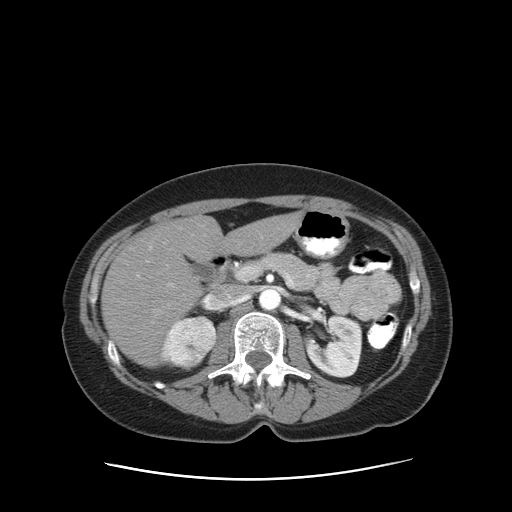
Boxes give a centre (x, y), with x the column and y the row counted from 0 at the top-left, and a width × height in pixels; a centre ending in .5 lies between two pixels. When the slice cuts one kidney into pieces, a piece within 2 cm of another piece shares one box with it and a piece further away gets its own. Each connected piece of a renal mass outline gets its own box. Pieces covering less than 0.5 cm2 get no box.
This is axial slice 56 of 83 (slice 1 is the lowest) of an arterial-phase abdominal CT with contrast; each pixel is 0.775 mm and the slice is 5.00 mm thick. Two kidney boxes and one renal mass box on this slice; by box centre, from the image's left to its right: (1) Right kidney, box centre (168, 352), 17 × 31 pixels (outlined area 189 px, about 1.1 cm2). (2) Right renal mass in a box with centre (191.5, 342.5), 50 × 56 pixels (outlined area 2,119 px, about 12.7 cm2). (3) Box centre (333, 346.5), 59 × 64 pixels: left kidney (outlined area 2,769 px, about 16.6 cm2).
Tube voltage 120 kVp; convolution kernel STANDARD.